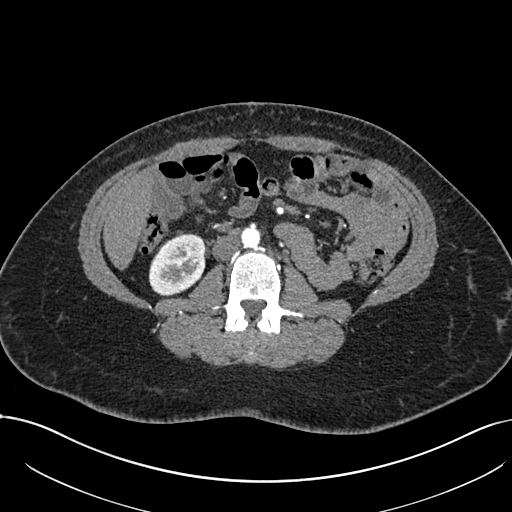
Arterial-phase contrast-enhanced abdominal CT, axial slice 350 of 738 (counted from the lowest slice); tube voltage 120 kVp, convolution kernel I30f; slices 1.00 mm thick, 0.789 mm per pixel.
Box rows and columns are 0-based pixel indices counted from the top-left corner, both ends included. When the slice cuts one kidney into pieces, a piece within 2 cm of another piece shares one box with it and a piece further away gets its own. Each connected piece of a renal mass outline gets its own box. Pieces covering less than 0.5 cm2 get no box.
Right kidney, box rows 234–295, columns 148–205 (outlined area 2,735 px, about 17.0 cm2). No renal mass outline on this slice.